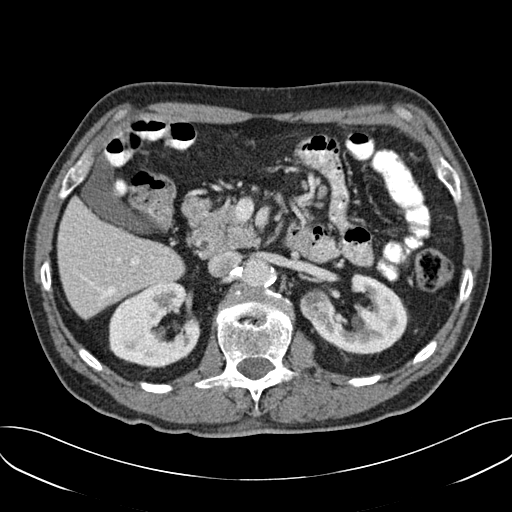
Abdominal CT with intravenous contrast, arterial phase, axial plane, 120 kVp, kernel B30f. Slice 108/157 from the bottom of the scan; thickness 3.00 mm; pixel size 0.742 mm.
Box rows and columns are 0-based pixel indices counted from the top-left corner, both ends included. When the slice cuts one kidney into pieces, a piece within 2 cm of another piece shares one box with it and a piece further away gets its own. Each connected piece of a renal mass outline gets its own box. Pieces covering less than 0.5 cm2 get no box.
Two kidney boxes and one renal mass box on this slice; by box centre, from the image's left to its right: (1) Box rows 281–370, columns 108–200: right kidney (outlined area 5,776 px, about 31.8 cm2). (2) Box rows 287–314, columns 305–327: left renal mass (outlined area 531 px, about 2.9 cm2). (3) Left kidney at rows 272–354, columns 300–407 (outlined area 5,009 px, about 27.6 cm2).